Abdominal CT with intravenous contrast, arterial phase, axial plane, 120 kVp, kernel STANDARD. Slice 228/445 from the bottom of the scan; thickness 1.25 mm; pixel size 0.863 mm.
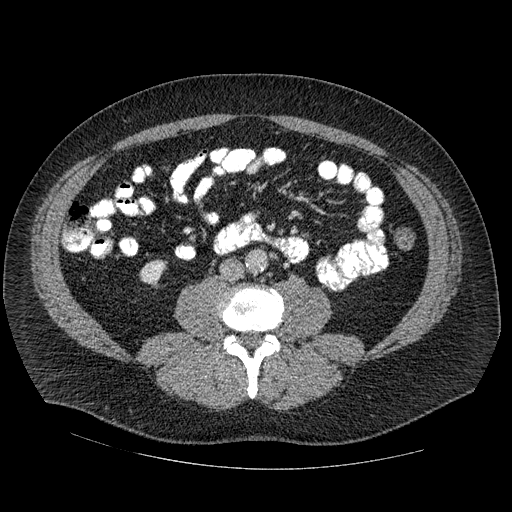
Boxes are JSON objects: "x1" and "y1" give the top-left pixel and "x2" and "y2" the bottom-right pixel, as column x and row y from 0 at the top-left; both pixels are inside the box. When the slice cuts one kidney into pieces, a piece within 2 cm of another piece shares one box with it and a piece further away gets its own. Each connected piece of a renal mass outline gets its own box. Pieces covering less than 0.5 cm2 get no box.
Right kidney at {"x1": 138, "y1": 259, "x2": 167, "y2": 286} (outlined area 547 px, about 4.1 cm2). No renal mass is outlined on this slice.